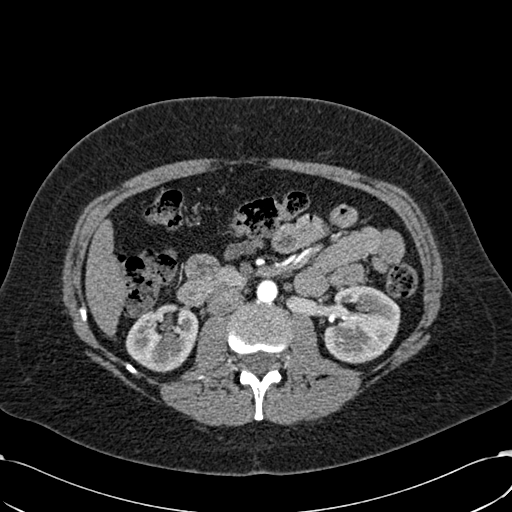
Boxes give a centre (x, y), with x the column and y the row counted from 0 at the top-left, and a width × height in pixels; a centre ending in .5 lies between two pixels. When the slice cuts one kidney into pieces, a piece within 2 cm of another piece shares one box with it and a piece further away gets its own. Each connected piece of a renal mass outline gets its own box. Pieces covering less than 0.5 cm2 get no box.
Slice 332/532 of a contrast-enhanced abdominal CT in the arterial phase, counting up from the lowest; pixel size 0.713 mm, slice thickness 1.00 mm. Boxed on this slice (two kidney boxes), listed by box centre from the image's left to its right: (1) Right kidney in a box with centre (161.5, 338), 74 × 69 pixels (outlined area 3,704 px, about 18.8 cm2). (2) Left kidney in a box with centre (361, 324), 79 × 79 pixels (outlined area 4,643 px, about 23.6 cm2). No renal mass is outlined on this slice.
Acquired at 120 kVp and reconstructed with the B30f kernel.